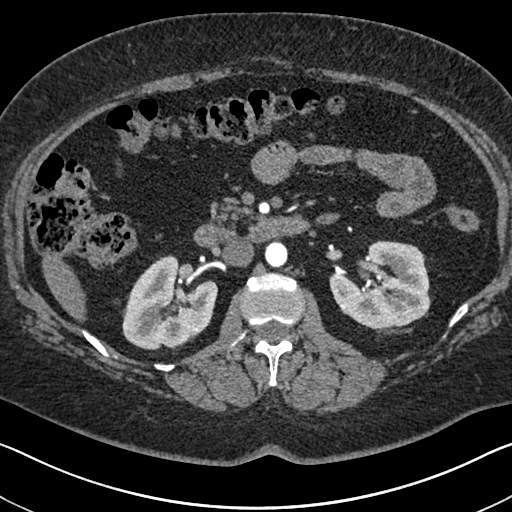
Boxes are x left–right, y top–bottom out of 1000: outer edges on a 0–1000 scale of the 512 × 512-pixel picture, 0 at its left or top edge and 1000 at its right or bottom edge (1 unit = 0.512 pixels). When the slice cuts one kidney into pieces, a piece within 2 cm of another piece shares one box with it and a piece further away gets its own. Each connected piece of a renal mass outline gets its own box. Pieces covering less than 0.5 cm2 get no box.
This is axial slice 406 of 591 (slice 1 is the lowest) of an arterial-phase abdominal CT with contrast; each pixel is 0.703 mm and the slice is 1.00 mm thick. Two kidney boxes on this slice; by box centre, from the image's left to its right: (1) Box x 238–426, y 498–684 out of 1000: right kidney (outlined area 6,479 px, about 32.0 cm2). (2) Box x 643–842, y 469–645 out of 1000: left kidney (outlined area 6,509 px, about 32.2 cm2). No renal mass outline on this slice.
Scan settings: 140 kVp, I30f reconstruction kernel.